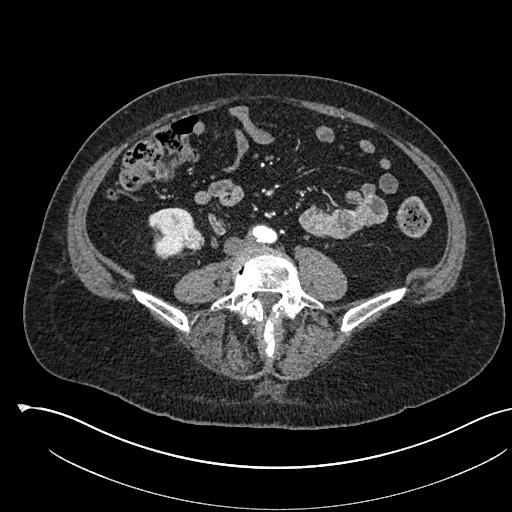
Abdominal CT with intravenous contrast, arterial phase, axial plane, 120 kVp, kernel I30f. Slice 195/541 from the bottom of the scan; thickness 1.00 mm; pixel size 0.834 mm.
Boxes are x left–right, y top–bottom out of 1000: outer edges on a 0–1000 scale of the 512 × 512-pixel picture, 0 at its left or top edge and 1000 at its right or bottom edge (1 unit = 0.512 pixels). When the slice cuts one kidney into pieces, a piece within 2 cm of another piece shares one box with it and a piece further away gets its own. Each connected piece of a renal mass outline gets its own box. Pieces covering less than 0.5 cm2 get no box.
Boxed on this slice (one kidney box and one renal mass box), listed by box centre from the image's left to its right: (1) Box x 289–383, y 404–508 out of 1000: right kidney (outlined area 1,695 px, about 11.8 cm2). (2) Right renal mass at x 357–400, y 445–490 out of 1000 (outlined area 384 px, about 2.7 cm2).